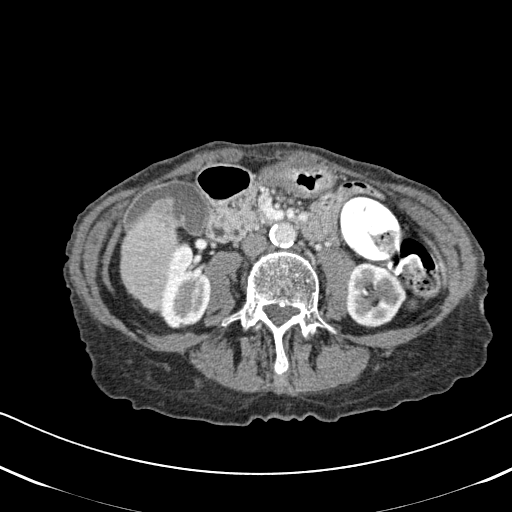
One axial slice (260 of 620, counting up from the lowest) of an arterial-phase abdominal CT acquired with 120 kVp, kernel B31f; each pixel is 0.637 mm and the slice is 2.00 mm thick.
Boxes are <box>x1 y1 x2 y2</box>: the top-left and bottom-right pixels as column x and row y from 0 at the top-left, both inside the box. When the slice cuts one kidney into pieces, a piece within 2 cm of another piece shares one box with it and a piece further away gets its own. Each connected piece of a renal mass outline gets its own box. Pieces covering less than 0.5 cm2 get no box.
Two boxes on this slice (two kidney boxes), listed by box centre from the image's left to its right. (1) Right kidney at <box>161 242 211 328</box> (outlined area 3,220 px, about 13.1 cm2). (2) Left kidney at <box>346 262 406 327</box> (outlined area 3,040 px, about 12.3 cm2).